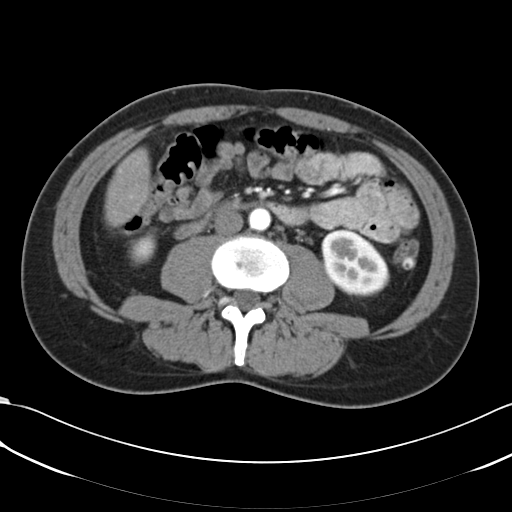
Abdominal CT with intravenous contrast, arterial phase, axial plane, 120 kVp, kernel B30f. Slice 29/66 from the bottom of the scan; thickness 5.00 mm; pixel size 0.678 mm.
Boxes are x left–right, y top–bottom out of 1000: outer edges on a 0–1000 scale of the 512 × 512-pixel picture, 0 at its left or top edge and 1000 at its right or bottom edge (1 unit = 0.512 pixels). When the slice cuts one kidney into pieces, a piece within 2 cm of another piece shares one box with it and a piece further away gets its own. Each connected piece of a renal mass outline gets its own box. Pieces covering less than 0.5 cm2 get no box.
Two kidney boxes on this slice; by box centre, from the image's left to its right: (1) Box x 250–307, y 455–520 out of 1000: right kidney (outlined area 587 px, about 2.7 cm2). (2) Left kidney at x 627–762, y 451–580 out of 1000 (outlined area 3,279 px, about 15.1 cm2). No renal mass outline on this slice.